Abdominal CT with intravenous contrast, arterial phase, axial plane, 120 kVp, kernel I30f. Slice 314/541 from the bottom of the scan; thickness 1.00 mm; pixel size 0.834 mm.
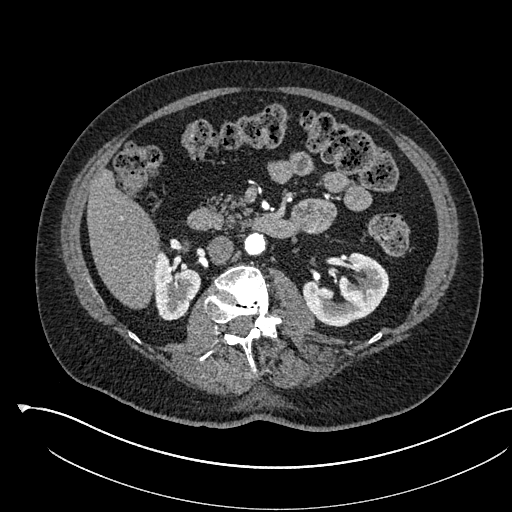
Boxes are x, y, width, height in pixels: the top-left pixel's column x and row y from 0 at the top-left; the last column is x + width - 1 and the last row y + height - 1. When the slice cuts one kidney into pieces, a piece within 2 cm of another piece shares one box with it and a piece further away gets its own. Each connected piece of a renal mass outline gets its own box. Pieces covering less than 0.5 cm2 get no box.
Two boxes on this slice (two kidney boxes), listed by box centre from the image's left to its right. (1) Right kidney, box x 153, y 249, width 48, height 72 (outlined area 2,425 px, about 16.9 cm2). (2) Left kidney, box x 302, y 252, width 88, height 76 (outlined area 4,144 px, about 28.8 cm2). No renal mass outline on this slice.